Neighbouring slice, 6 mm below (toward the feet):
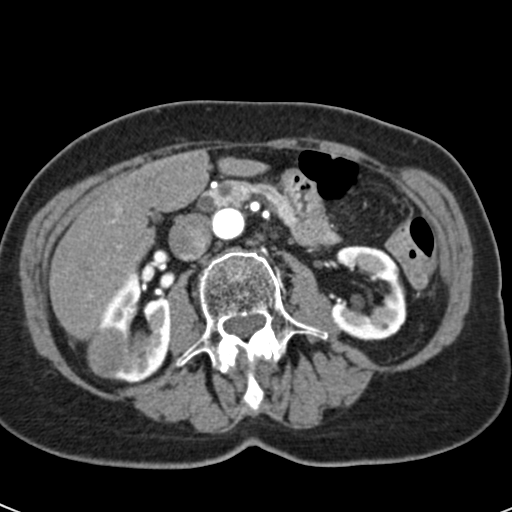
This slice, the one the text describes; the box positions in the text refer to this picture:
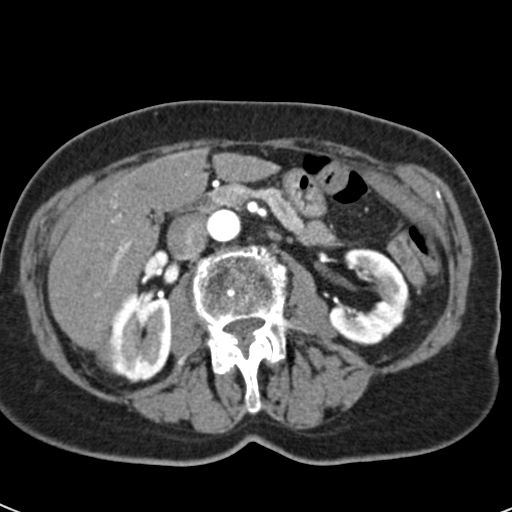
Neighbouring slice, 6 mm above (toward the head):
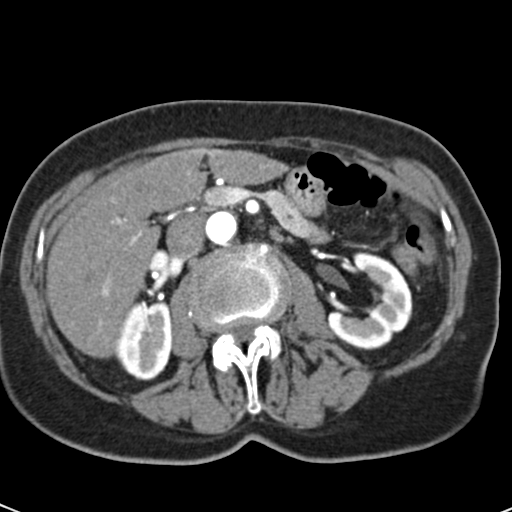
Axial slice 29 of 53 of a contrast-enhanced abdominal CT in the arterial phase (slice 1 is the lowest), 120 kVp, kernel B30f; 3.00 mm slice thickness and 0.547 mm pixels.
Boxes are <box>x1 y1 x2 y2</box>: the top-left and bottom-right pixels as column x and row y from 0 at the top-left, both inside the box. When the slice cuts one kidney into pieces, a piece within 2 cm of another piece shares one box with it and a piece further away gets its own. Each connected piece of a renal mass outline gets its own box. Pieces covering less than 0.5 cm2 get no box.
Two kidney boxes and one renal mass box on this slice; by box centre, from the image's left to its right: (1) At <box>95 342 122 373</box>: right renal mass (outlined area 692 px, about 2.1 cm2). (2) At <box>103 291 170 381</box>: right kidney (outlined area 4,330 px, about 12.9 cm2). (3) Left kidney at <box>327 248 409 345</box> (outlined area 4,762 px, about 14.2 cm2). This slice is near the end of the right renal mass toward the head, so the slices 6 mm below and 6 mm above it are shown as well; the boxes refer to this slice only.